Contrast-enhanced abdominal CT, axial slice 258 of 433 (counted from the lowest slice); tube voltage 120 kVp, convolution kernel B30f; slices 1.00 mm thick, 0.672 mm per pixel.
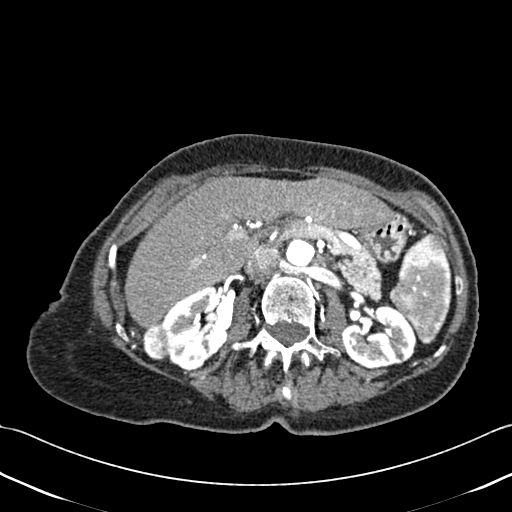
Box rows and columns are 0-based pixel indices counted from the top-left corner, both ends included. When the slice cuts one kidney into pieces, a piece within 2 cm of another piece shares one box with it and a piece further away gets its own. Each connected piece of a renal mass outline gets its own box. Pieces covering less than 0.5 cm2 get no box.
Three boxes on this slice (two kidney boxes and one renal mass box), listed by box centre from the image's left to its right. (1) Box rows 322–360, columns 143–169: right renal mass (outlined area 788 px, about 3.6 cm2). (2) Right kidney, box rows 287–371, columns 158–227 (outlined area 3,906 px, about 17.6 cm2). (3) Box rows 304–370, columns 341–416: left kidney (outlined area 3,570 px, about 16.1 cm2).